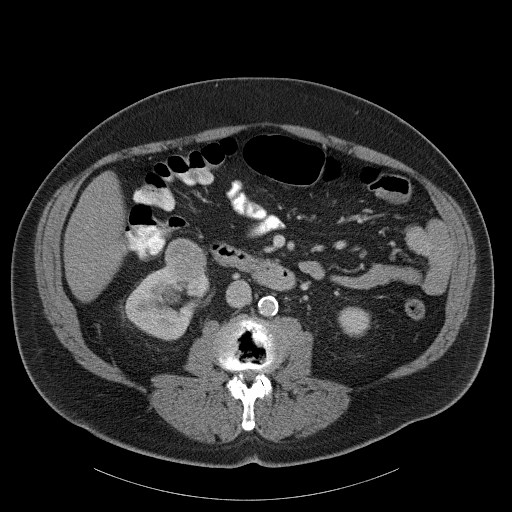
Contrast-enhanced abdominal CT, axial slice 59 of 107 (counted from the lowest slice); tube voltage 120 kVp, convolution kernel B31f; slices 5.00 mm thick, 0.941 mm per pixel.
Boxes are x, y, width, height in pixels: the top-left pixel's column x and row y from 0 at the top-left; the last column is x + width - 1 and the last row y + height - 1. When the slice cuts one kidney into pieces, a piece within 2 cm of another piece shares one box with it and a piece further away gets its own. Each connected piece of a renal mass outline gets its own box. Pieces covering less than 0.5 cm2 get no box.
Boxed on this slice (two kidney boxes and one renal mass box), listed by box centre from the image's left to its right: (1) Right kidney, box x 123, y 262, width 88, height 80 (outlined area 4,053 px, about 35.9 cm2). (2) Box x 164, y 238, width 43, height 44: right renal mass (outlined area 1,470 px, about 13.0 cm2). (3) Left kidney at x 338, y 306, width 33, height 31 (outlined area 784 px, about 6.9 cm2).